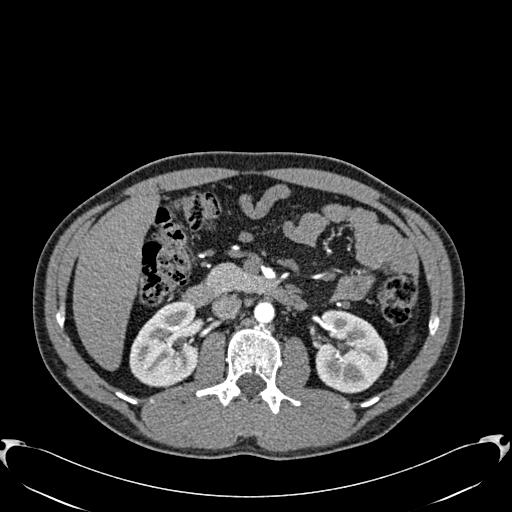
Arterial-phase contrast-enhanced abdominal CT, axial slice 353 of 512 (counted from the lowest slice); tube voltage 120 kVp, convolution kernel B30f; slices 1.00 mm thick, 0.771 mm per pixel.
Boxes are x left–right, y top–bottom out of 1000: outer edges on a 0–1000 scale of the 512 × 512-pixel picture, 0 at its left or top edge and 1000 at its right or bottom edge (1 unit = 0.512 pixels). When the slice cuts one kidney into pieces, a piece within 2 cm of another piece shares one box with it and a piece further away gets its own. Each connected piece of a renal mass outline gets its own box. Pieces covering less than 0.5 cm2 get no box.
Two boxes on this slice (two kidney boxes), listed by box centre from the image's left to its right. (1) Box x 252–391, y 588–756 out of 1000: right kidney (outlined area 4,557 px, about 27.1 cm2). (2) Left kidney at x 615–760, y 605–770 out of 1000 (outlined area 4,646 px, about 27.7 cm2). No renal mass is outlined on this slice.